One axial slice (230 of 433, counting up from the lowest) of a contrast-enhanced abdominal CT acquired with 120 kVp, kernel B30f; each pixel is 0.672 mm and the slice is 1.00 mm thick.
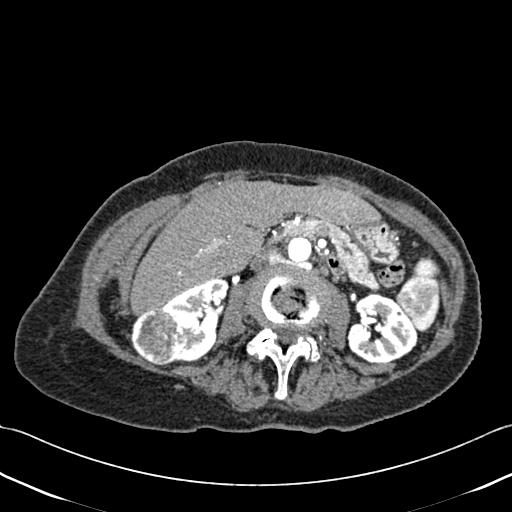
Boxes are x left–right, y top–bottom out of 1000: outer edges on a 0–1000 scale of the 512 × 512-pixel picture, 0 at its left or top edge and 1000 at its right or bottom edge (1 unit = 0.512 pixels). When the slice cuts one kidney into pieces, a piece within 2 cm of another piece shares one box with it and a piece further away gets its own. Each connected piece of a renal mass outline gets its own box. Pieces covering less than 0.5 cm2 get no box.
Boxed on this slice (two kidney boxes and one renal mass box), listed by box centre from the image's left to its right: (1) Right renal mass at x 256–355, y 600–715 out of 1000 (outlined area 2,294 px, about 10.4 cm2). (2) Right kidney at x 316–449, y 545–709 out of 1000 (outlined area 3,304 px, about 14.9 cm2). (3) Left kidney, box x 676–816, y 570–711 out of 1000 (outlined area 3,653 px, about 16.5 cm2).